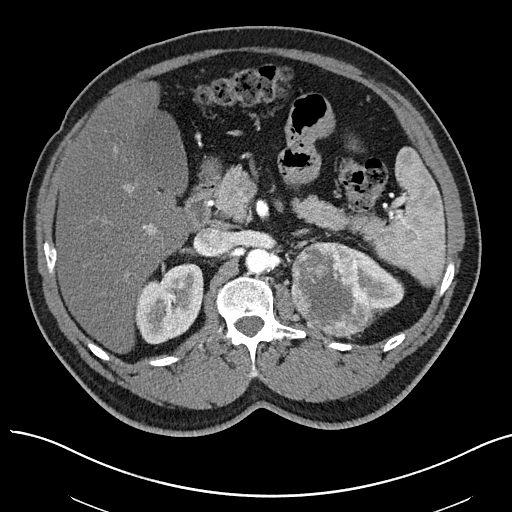
Axial slice 45 of 97 of a contrast-enhanced abdominal CT in the arterial phase (slice 1 is the lowest), 100 kVp, kernel I40f; 3.00 mm slice thickness and 0.797 mm pixels.
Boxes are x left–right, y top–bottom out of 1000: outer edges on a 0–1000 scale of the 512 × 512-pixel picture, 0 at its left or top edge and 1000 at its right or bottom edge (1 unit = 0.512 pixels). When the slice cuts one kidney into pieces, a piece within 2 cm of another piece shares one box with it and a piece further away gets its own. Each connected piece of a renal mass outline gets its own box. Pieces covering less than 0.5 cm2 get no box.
Boxed on this slice (two kidney boxes and one renal mass box), listed by box centre from the image's left to its right: (1) Right kidney at x 260–398, y 514–674 out of 1000 (outlined area 4,144 px, about 26.3 cm2). (2) Box x 566–736, y 473–664 out of 1000: left renal mass (outlined area 6,206 px, about 39.4 cm2). (3) Left kidney, box x 689–791, y 484–617 out of 1000 (outlined area 1,681 px, about 10.7 cm2).